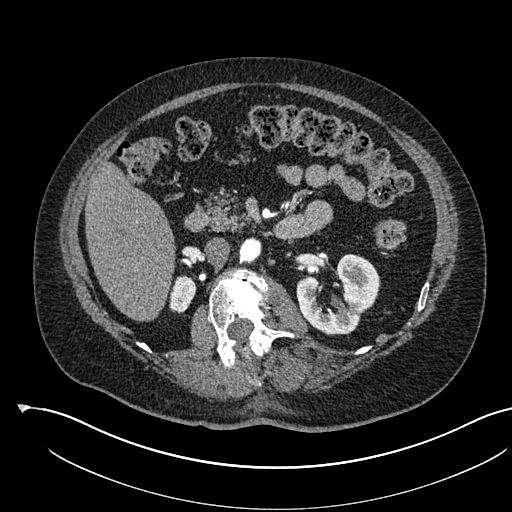
One axial slice (335 of 541, counting up from the lowest) of an arterial-phase abdominal CT acquired with 120 kVp, kernel I30f; each pixel is 0.834 mm and the slice is 1.00 mm thick.
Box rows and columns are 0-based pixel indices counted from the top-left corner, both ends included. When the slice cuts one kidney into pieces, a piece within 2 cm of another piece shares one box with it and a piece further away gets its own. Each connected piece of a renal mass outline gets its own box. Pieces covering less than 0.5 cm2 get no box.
Two kidney boxes on this slice; by box centre, from the image's left to its right: (1) Right kidney, box rows 275–313, columns 169–196 (outlined area 796 px, about 5.5 cm2). (2) Box rows 254–334, columns 296–380: left kidney (outlined area 4,312 px, about 30.0 cm2). No renal mass outline on this slice.